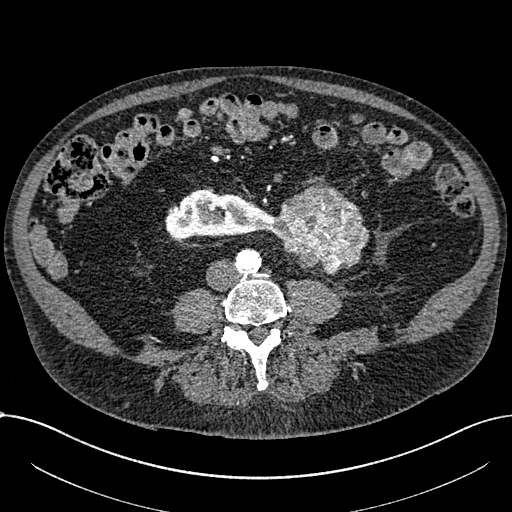
Abdominal CT with intravenous contrast, arterial phase, axial plane, 100 kVp, kernel I30f. Slice 250/1059 from the bottom of the scan; thickness 1.00 mm; pixel size 0.811 mm.
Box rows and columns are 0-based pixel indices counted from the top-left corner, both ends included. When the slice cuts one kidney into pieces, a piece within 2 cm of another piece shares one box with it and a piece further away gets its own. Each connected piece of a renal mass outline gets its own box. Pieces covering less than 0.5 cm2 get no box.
One kidney box and one renal mass box on this slice; by box centre, from the image's left to its right: (1) Box rows 189–240, columns 165–272: right part of the midline-crossing kidney (outlined area 3,892 px, about 25.6 cm2). (2) Renal mass at rows 181–275, columns 271–369 (outlined area 6,174 px, about 40.6 cm2).